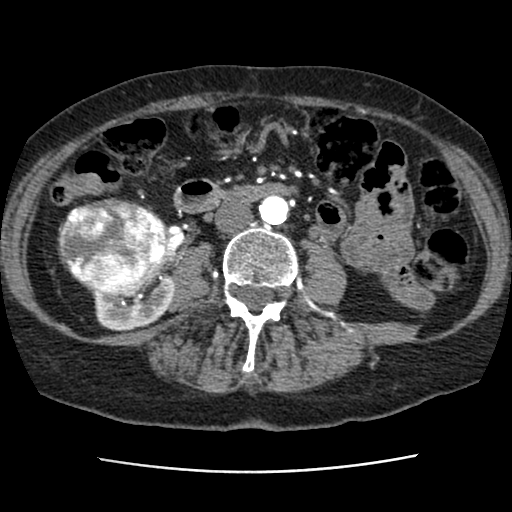
Abdominal CT with intravenous contrast, axial plane, 120 kVp, kernel STANDARD. Slice 31/76 from the bottom of the scan; thickness 2.50 mm; pixel size 0.586 mm.
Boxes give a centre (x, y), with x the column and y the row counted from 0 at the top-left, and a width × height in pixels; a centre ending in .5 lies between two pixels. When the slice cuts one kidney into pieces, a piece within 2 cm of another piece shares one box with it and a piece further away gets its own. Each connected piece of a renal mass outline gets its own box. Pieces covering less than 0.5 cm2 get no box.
Two boxes on this slice (one kidney box and one renal mass box), listed by box centre from the image's left to its right. (1) Right renal mass, box centre (112, 247), 111 × 99 pixels (outlined area 8,605 px, about 29.5 cm2). (2) Right kidney in a box with centre (132.5, 300), 84 × 63 pixels (outlined area 2,765 px, about 9.5 cm2).